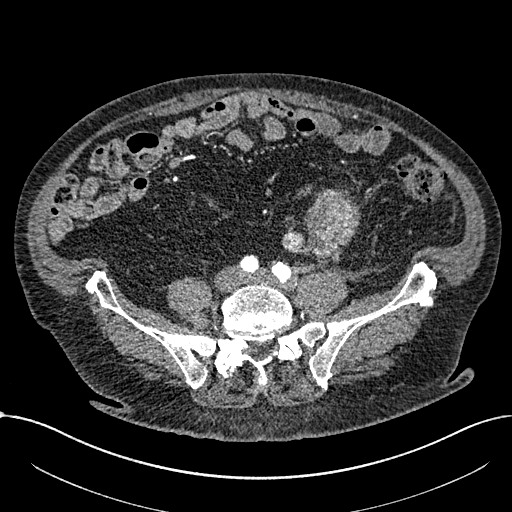
Abdominal CT with intravenous contrast, arterial phase, axial plane, 100 kVp, kernel I30f. Slice 177/1059 from the bottom of the scan; thickness 1.00 mm; pixel size 0.811 mm.
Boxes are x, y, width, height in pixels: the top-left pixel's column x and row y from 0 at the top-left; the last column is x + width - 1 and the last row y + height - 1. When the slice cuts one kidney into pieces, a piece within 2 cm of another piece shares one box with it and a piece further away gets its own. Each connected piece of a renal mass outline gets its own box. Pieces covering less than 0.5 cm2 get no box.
Boxed on this slice (two renal mass boxes), listed by box centre from the image's left to its right: (1) Renal mass, box x 281, y 226, width 26, height 29 (outlined area 473 px, about 3.1 cm2); no kidney outline appears on this slice, but the same outlined renal mass comes within 1 cm of the kidney on another slice. (2) Box x 303, y 189, width 58, height 76: renal mass (outlined area 3,000 px, about 19.7 cm2); no kidney is outlined on this slice, but the same outlined renal mass comes within 1 cm of the kidney on another slice.